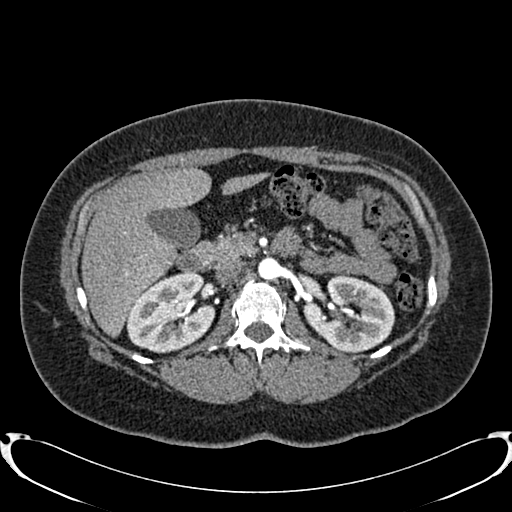
Axial slice 496 of 719 of a contrast-enhanced abdominal CT in the arterial phase (slice 1 is the lowest), 120 kVp, kernel B20f; 1.00 mm slice thickness and 0.766 mm pixels.
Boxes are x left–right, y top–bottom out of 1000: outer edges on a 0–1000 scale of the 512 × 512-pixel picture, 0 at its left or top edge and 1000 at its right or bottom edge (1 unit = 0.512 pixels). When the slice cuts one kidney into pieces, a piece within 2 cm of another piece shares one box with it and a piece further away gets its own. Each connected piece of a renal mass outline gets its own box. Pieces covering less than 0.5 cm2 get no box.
Two boxes on this slice (two kidney boxes), listed by box centre from the image's left to its right. (1) Right kidney, box x 246–422, y 529–691 out of 1000 (outlined area 5,284 px, about 31.0 cm2). (2) Box x 605–771, y 537–689 out of 1000: left kidney (outlined area 4,796 px, about 28.1 cm2). No renal mass is outlined on this slice.